Abdominal CT with intravenous contrast, arterial phase, axial plane, 120 kVp, kernel I30f. Slice 458/626 from the bottom of the scan; thickness 1.00 mm; pixel size 0.703 mm.
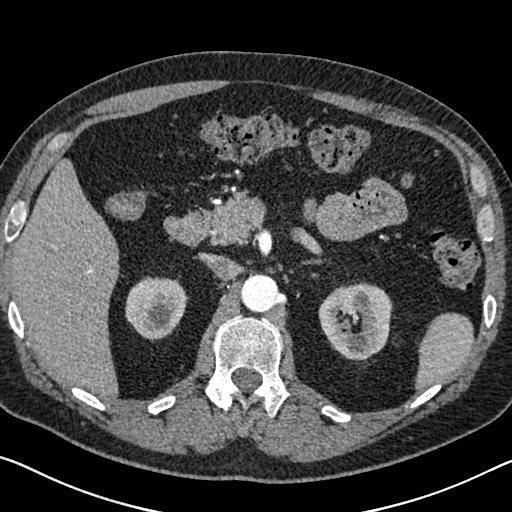
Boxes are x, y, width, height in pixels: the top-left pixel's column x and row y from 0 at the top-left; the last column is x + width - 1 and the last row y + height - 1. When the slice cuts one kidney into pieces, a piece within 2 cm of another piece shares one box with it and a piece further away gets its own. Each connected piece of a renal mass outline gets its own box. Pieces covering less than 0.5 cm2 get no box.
Two kidney boxes on this slice; by box centre, from the image's left to its right: (1) Box x 125, y 276, width 61, height 64: right kidney (outlined area 3,021 px, about 14.9 cm2). (2) Box x 318, y 282, width 75, height 79: left kidney (outlined area 4,375 px, about 21.6 cm2). No renal mass outline on this slice.